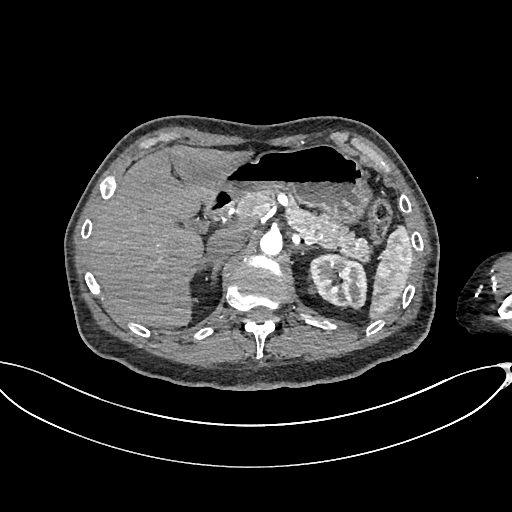
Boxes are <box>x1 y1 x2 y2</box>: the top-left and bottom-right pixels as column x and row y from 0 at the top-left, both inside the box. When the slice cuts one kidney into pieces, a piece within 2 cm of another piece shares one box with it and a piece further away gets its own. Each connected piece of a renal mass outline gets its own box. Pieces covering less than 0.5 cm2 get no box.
This is axial slice 475 of 665 (slice 1 is the lowest) of an arterial-phase abdominal CT with contrast; each pixel is 0.828 mm and the slice is 1.00 mm thick. At <box>309 253 366 309</box>: left kidney (outlined area 2,522 px, about 17.3 cm2).
Scan settings: 100 kVp, I26f reconstruction kernel.